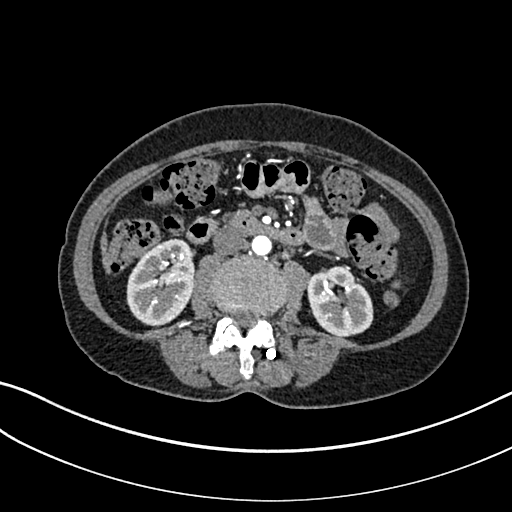
Arterial-phase contrast-enhanced abdominal CT, axial slice 122 of 325 (counted from the lowest slice); tube voltage 100 kVp, convolution kernel I30f; slices 1.00 mm thick, 0.703 mm per pixel.
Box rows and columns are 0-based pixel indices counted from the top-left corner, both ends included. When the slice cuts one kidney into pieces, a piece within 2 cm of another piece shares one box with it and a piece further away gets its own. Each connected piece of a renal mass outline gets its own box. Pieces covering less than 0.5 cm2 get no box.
Two kidney boxes on this slice; by box centre, from the image's left to its right: (1) Right kidney at rows 238–326, columns 126–194 (outlined area 4,593 px, about 22.7 cm2). (2) Left kidney, box rows 266–336, columns 306–373 (outlined area 3,504 px, about 17.3 cm2). No renal mass outline on this slice.